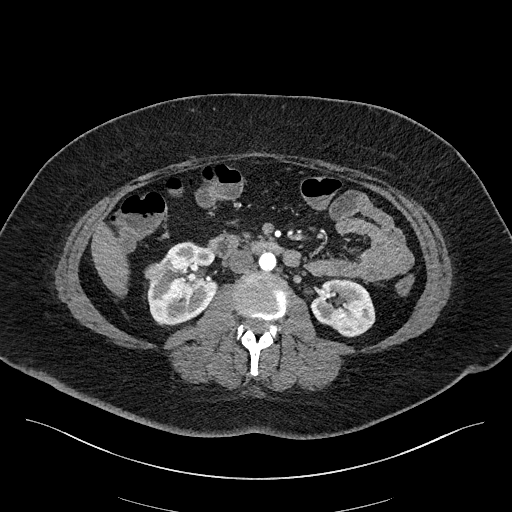
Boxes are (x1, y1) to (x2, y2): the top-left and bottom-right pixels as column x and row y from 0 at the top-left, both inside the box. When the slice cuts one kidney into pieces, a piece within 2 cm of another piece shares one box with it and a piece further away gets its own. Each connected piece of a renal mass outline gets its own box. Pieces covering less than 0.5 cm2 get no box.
Slice 90/270 of a contrast-enhanced abdominal CT in the arterial phase, counting up from the lowest; pixel size 0.855 mm, slice thickness 2.00 mm. Boxed on this slice (two kidney boxes and one renal mass box), listed by box centre from the image's left to its right: (1) Box (144, 263) to (164, 282): right renal mass (outlined area 320 px, about 2.3 cm2). (2) Box (147, 241) to (218, 325): right kidney (outlined area 4,210 px, about 30.8 cm2). (3) Left kidney from (310, 278) to (375, 337) (outlined area 2,822 px, about 20.7 cm2).
Scan settings: 100 kVp, I40f reconstruction kernel.